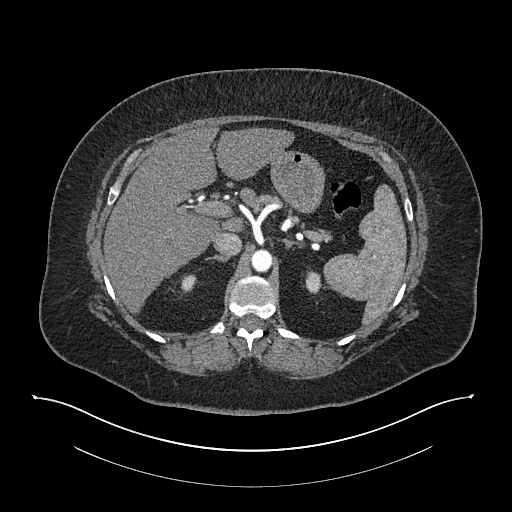
Abdominal CT with intravenous contrast, arterial phase, axial plane, 140 kVp, kernel I30f. Slice 573/673 from the bottom of the scan; thickness 1.00 mm; pixel size 0.957 mm.
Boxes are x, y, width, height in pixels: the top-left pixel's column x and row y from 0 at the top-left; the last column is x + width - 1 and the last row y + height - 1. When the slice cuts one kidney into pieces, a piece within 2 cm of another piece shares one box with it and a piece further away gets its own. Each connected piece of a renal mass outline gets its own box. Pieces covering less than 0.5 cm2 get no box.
Boxed on this slice (two kidney boxes), listed by box centre from the image's left to its right: (1) Right kidney at x 181, y 274, width 16, height 19 (outlined area 233 px, about 2.1 cm2). (2) Left kidney, box x 305, y 271, width 17, height 23 (outlined area 308 px, about 2.8 cm2). No renal mass is outlined on this slice.